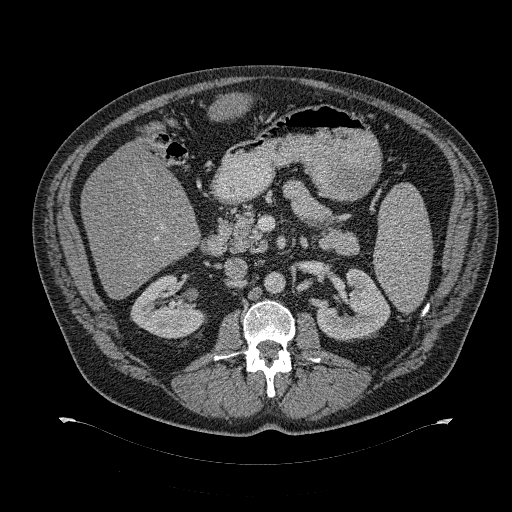
Abdominal CT with intravenous contrast, axial plane, 120 kVp, kernel B31f. Slice 189/274 from the bottom of the scan; thickness 2.00 mm; pixel size 0.977 mm.
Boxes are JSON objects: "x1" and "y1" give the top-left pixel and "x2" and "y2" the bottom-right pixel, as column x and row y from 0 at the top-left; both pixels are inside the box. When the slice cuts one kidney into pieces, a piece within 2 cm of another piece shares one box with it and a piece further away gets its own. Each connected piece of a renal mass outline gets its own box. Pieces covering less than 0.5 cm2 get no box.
Two kidney boxes on this slice; by box centre, from the image's left to its right: (1) Right kidney, box {"x1": 130, "y1": 275, "x2": 205, "y2": 338} (outlined area 3,211 px, about 30.6 cm2). (2) Left kidney, box {"x1": 316, "y1": 268, "x2": 390, "y2": 341} (outlined area 3,543 px, about 33.8 cm2). No renal mass outline on this slice.